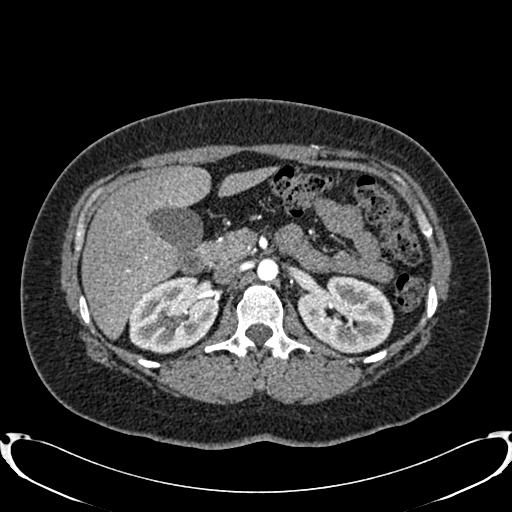
Arterial-phase contrast-enhanced abdominal CT, axial slice 506 of 719 (counted from the lowest slice); tube voltage 120 kVp, convolution kernel B20f; slices 1.00 mm thick, 0.766 mm per pixel.
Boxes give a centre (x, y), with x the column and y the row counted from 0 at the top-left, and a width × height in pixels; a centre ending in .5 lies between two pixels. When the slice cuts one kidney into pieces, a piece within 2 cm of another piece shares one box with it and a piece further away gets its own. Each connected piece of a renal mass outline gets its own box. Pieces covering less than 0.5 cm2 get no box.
Two boxes on this slice (two kidney boxes), listed by box centre from the image's left to its right. (1) Right kidney, box centre (173.5, 314), 90 × 79 pixels (outlined area 5,239 px, about 30.7 cm2). (2) Box centre (345.5, 314), 98 × 77 pixels: left kidney (outlined area 5,515 px, about 32.3 cm2). No renal mass outline on this slice.